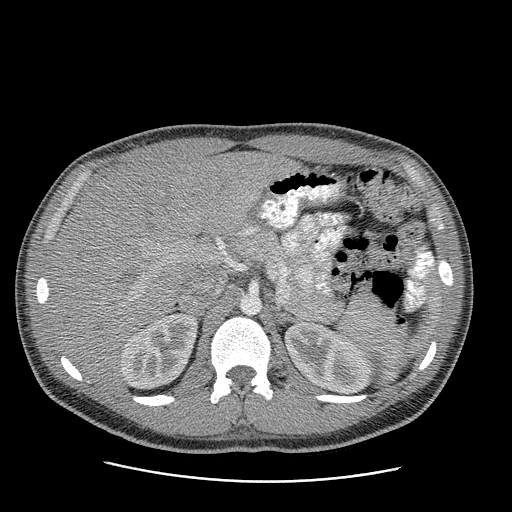
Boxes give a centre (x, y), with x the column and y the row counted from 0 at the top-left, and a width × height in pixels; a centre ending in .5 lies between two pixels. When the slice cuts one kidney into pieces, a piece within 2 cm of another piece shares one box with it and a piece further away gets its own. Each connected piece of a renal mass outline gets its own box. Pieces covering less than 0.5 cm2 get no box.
Arterial-phase contrast-enhanced abdominal CT, axial slice 163 of 199 (counted from the lowest slice); 2.50 mm thick, 0.789 mm per pixel. Boxed on this slice (two kidney boxes), listed by box centre from the image's left to its right: (1) Right kidney, box centre (159, 351), 79 × 79 pixels (outlined area 4,404 px, about 27.4 cm2). (2) Left kidney in a box with centre (328.5, 357.5), 90 × 72 pixels (outlined area 4,524 px, about 28.2 cm2). No renal mass outline on this slice.
Tube voltage 120 kVp; convolution kernel STANDARD.